Abdominal CT with intravenous contrast, arterial phase, axial plane, 120 kVp, kernel I30f. Slice 337/735 from the bottom of the scan; thickness 1.00 mm; pixel size 0.789 mm.
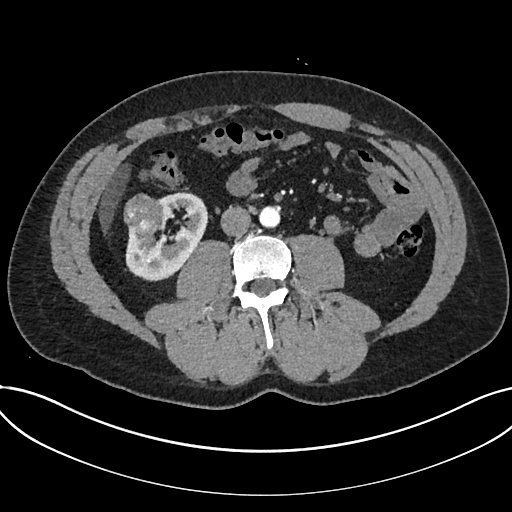
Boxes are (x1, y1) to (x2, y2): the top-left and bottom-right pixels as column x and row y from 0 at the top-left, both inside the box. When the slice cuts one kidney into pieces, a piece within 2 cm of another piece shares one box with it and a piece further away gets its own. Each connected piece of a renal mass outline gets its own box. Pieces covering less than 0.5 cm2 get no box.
One kidney box and one renal mass box on this slice; by box centre, from the image's left to its right: (1) Box (123, 193) to (164, 233): renal mass (outlined area 1,310 px, about 8.2 cm2). (2) Kidney, box (125, 192) to (207, 281) (outlined area 4,279 px, about 26.6 cm2).